Abdominal CT with intravenous contrast, axial plane, 120 kVp, kernel I30f. Slice 106/197 from the bottom of the scan; thickness 5.00 mm; pixel size 0.791 mm.
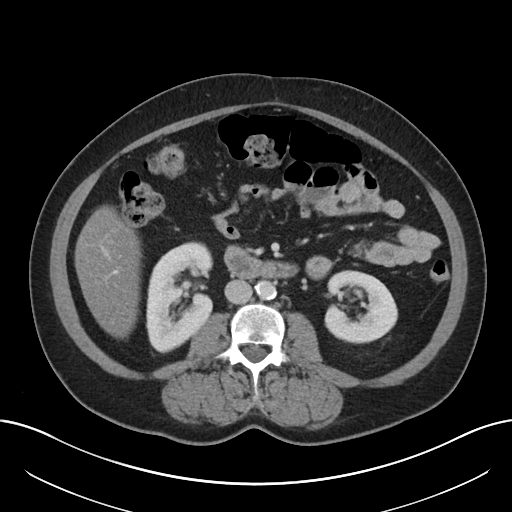
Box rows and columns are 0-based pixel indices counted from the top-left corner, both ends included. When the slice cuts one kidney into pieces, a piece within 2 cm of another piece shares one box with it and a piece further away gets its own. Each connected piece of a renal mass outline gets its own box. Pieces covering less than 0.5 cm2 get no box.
Two kidney boxes on this slice; by box centre, from the image's left to its right: (1) Right kidney at rows 241–353, columns 146–213 (outlined area 5,752 px, about 36.0 cm2). (2) Box rows 270–344, columns 324–398: left kidney (outlined area 4,123 px, about 25.8 cm2). No renal mass outline on this slice.